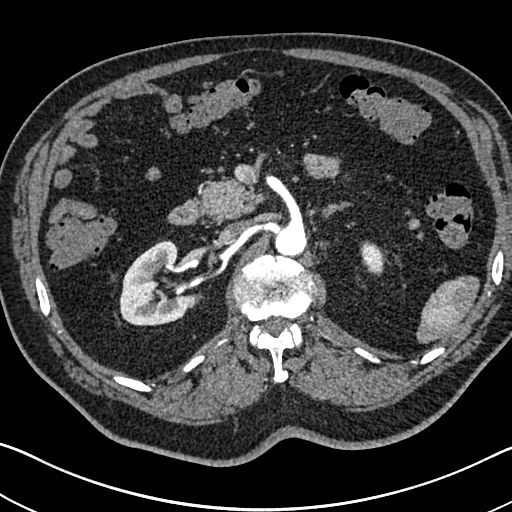
Axial slice 464 of 705 of a contrast-enhanced abdominal CT in the arterial phase (slice 1 is the lowest), 120 kVp, kernel I30f; 1.00 mm slice thickness and 0.703 mm pixels.
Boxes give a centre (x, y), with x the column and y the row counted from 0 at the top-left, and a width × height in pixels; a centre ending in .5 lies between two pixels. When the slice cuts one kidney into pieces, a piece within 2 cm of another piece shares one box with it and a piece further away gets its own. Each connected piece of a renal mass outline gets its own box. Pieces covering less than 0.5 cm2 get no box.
Boxed on this slice (two kidney boxes), listed by box centre from the image's left to its right: (1) Right kidney, box centre (157, 282.5), 77 × 86 pixels (outlined area 4,403 px, about 21.8 cm2). (2) Box centre (373, 258), 27 × 37 pixels: left kidney (outlined area 654 px, about 3.2 cm2). No renal mass outline on this slice.